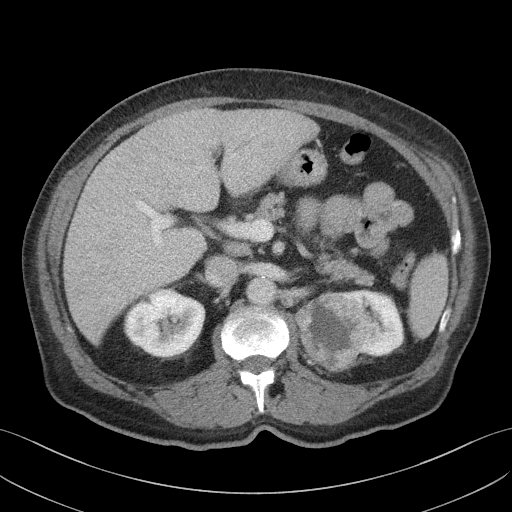
Contrast-enhanced abdominal CT, axial slice 76 of 103 (counted from the lowest slice); tube voltage 100 kVp, convolution kernel I41f; slices 4.00 mm thick, 0.742 mm per pixel.
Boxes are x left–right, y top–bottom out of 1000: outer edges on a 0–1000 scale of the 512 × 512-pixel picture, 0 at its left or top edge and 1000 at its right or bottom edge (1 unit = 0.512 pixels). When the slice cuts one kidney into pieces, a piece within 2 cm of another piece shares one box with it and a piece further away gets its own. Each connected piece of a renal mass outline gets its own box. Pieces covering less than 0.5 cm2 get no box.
Three boxes on this slice (two kidney boxes and one renal mass box), listed by box centre from the image's left to its right. (1) Right kidney at x 240–402, y 561–699 out of 1000 (outlined area 4,334 px, about 23.9 cm2). (2) Left renal mass at x 574–719, y 568–727 out of 1000 (outlined area 4,325 px, about 23.8 cm2). (3) Box x 664–791, y 564–699 out of 1000: left kidney (outlined area 2,394 px, about 13.2 cm2).